Abdominal CT with intravenous contrast, arterial phase, axial plane, 100 kVp, kernel I40f. Slice 71/270 from the bottom of the scan; thickness 2.00 mm; pixel size 0.855 mm.
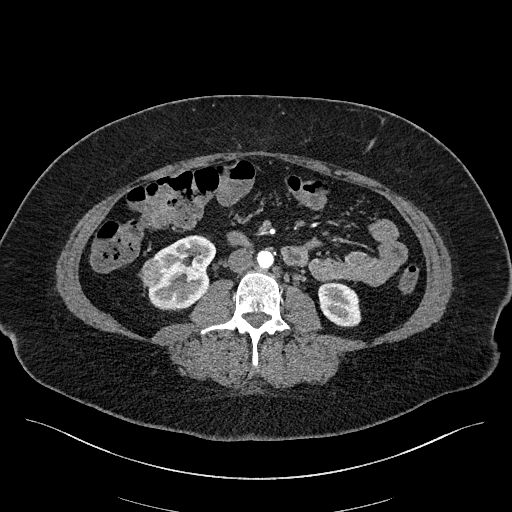
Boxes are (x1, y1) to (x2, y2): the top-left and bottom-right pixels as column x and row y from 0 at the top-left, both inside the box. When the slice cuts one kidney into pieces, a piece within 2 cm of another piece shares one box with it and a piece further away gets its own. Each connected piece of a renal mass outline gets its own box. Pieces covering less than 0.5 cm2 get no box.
Three boxes on this slice (two kidney boxes and one renal mass box), listed by box centre from the image's left to its right. (1) Right renal mass from (140, 257) to (162, 287) (outlined area 514 px, about 3.8 cm2). (2) Right kidney, box (148, 235) to (216, 310) (outlined area 3,540 px, about 25.9 cm2). (3) Box (318, 282) to (361, 327): left kidney (outlined area 1,541 px, about 11.3 cm2).